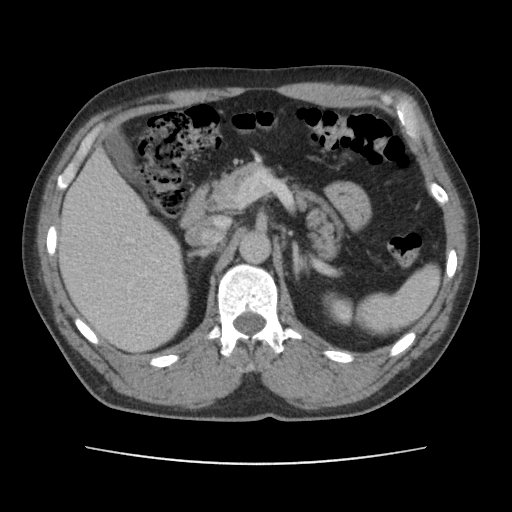
Abdominal CT with intravenous contrast, arterial phase, axial plane, 120 kVp, kernel FC14. Slice 75/101 from the bottom of the scan; thickness 5.00 mm; pixel size 0.755 mm.
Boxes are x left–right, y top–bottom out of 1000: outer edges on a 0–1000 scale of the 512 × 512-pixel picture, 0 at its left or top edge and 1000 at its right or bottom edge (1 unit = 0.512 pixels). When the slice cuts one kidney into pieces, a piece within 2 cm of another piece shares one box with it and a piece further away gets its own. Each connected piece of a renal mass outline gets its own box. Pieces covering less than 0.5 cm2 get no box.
Left kidney, box x 637–691, y 570–637 out of 1000 (outlined area 726 px, about 4.1 cm2). No renal mass is outlined on this slice.